Axial slice 300 of 532 of a contrast-enhanced abdominal CT in the arterial phase (slice 1 is the lowest), 120 kVp, kernel B30f; 1.00 mm slice thickness and 0.713 mm pixels.
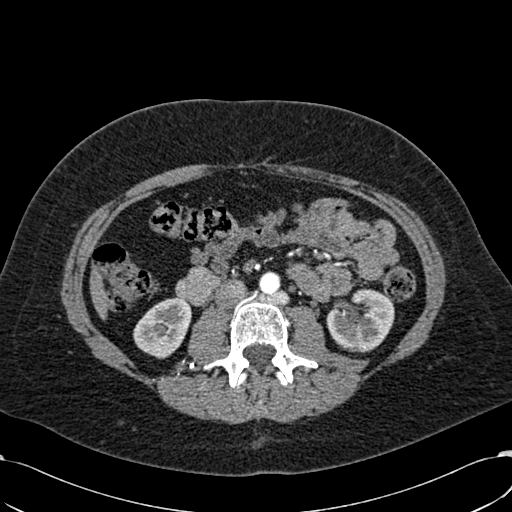
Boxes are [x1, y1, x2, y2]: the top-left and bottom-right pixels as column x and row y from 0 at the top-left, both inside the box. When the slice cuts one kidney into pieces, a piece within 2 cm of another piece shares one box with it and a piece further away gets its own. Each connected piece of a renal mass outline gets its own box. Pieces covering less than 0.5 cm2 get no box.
Boxed on this slice (two kidney boxes), listed by box centre from the image's left to its right: (1) Box [133, 297, 191, 358]: right kidney (outlined area 2,574 px, about 13.1 cm2). (2) Left kidney at [326, 288, 394, 352] (outlined area 3,249 px, about 16.5 cm2). No renal mass outline on this slice.